Axial slice 530 of 734 of a contrast-enhanced abdominal CT (slice 1 is the lowest), 120 kVp, kernel B31f; 2.00 mm slice thickness and 0.971 mm pixels.
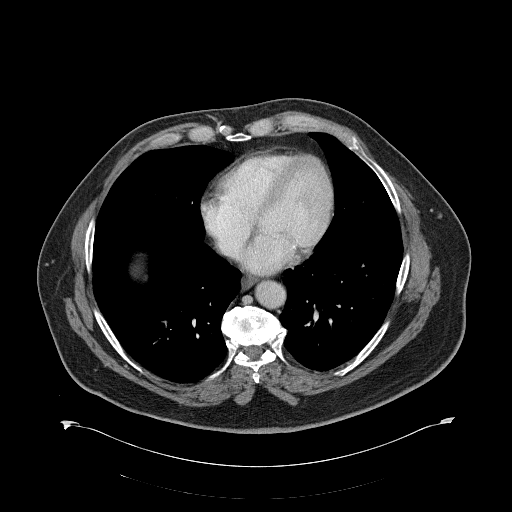
Neither a kidney nor a renal mass is outlined here. Only kidneys and renal masses are outlined anywhere in this scan; other structures are never outlined.